Abdominal CT with intravenous contrast, arterial phase, axial plane, 120 kVp, kernel I30f. Slice 314/602 from the bottom of the scan; thickness 1.00 mm; pixel size 0.799 mm.
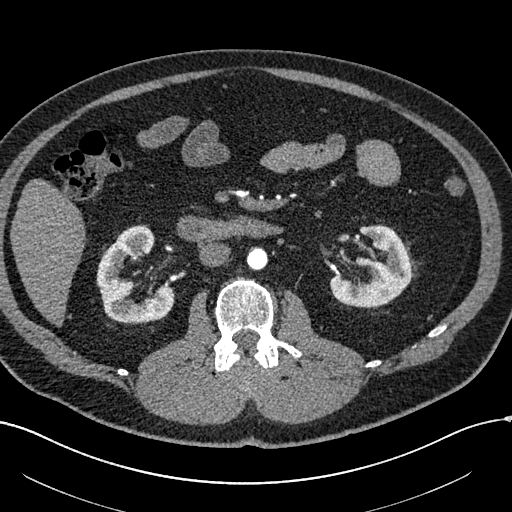
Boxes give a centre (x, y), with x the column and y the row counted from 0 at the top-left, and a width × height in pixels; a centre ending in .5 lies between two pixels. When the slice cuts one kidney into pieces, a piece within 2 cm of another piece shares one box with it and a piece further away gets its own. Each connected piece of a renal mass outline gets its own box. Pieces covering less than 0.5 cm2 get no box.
Two boxes on this slice (two kidney boxes), listed by box centre from the image's left to its right. (1) Right kidney, box centre (135, 273), 79 × 99 pixels (outlined area 4,574 px, about 29.2 cm2). (2) Left kidney, box centre (370, 265.5), 83 × 84 pixels (outlined area 4,410 px, about 28.1 cm2). No renal mass is outlined on this slice.